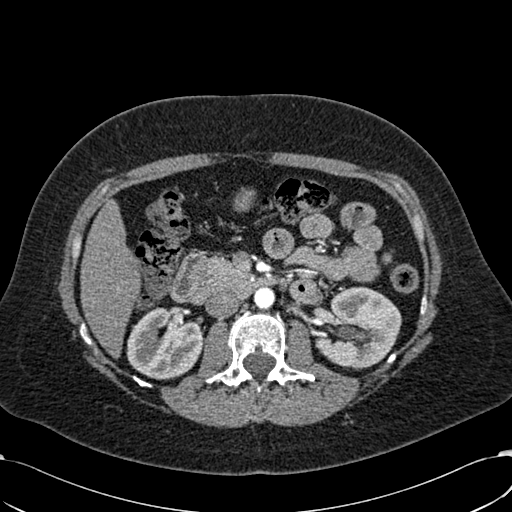
Arterial-phase contrast-enhanced abdominal CT, axial slice 359 of 532 (counted from the lowest slice); tube voltage 120 kVp, convolution kernel B30f; slices 1.00 mm thick, 0.713 mm per pixel.
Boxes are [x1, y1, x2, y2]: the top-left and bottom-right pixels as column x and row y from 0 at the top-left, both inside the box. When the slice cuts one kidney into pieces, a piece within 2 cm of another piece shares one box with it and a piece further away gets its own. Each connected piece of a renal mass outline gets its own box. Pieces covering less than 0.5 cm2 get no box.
Two boxes on this slice (two kidney boxes), listed by box centre from the image's left to its right. (1) Right kidney at [126, 307, 202, 379] (outlined area 4,177 px, about 21.2 cm2). (2) Left kidney at [323, 286, 401, 368] (outlined area 4,973 px, about 25.3 cm2). No renal mass is outlined on this slice.